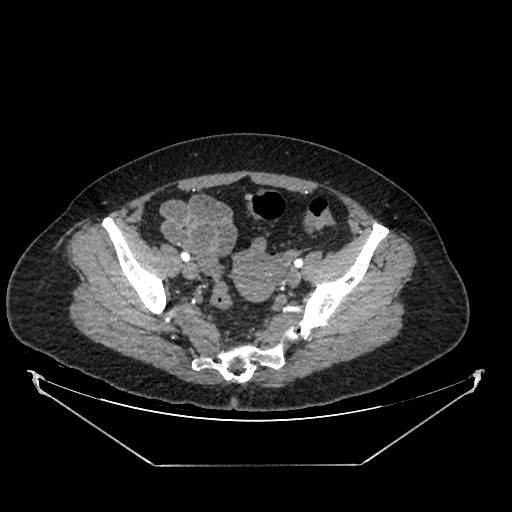
Arterial-phase contrast-enhanced abdominal CT, axial slice 97 of 383 (counted from the lowest slice); tube voltage 100 kVp, convolution kernel SOFT; slices 1.25 mm thick, 0.898 mm per pixel.
Outside the outlined region: no kidney outline and no renal mass outline on this slice. The scan's outlines cover only kidneys and renal masses; no other organ is outlined.